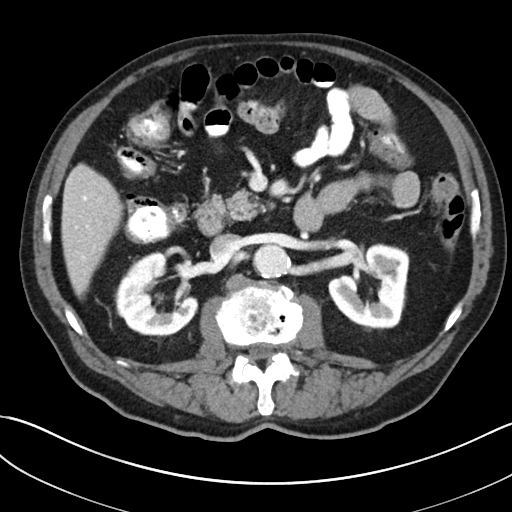
One axial slice (131 of 269, counting up from the lowest) of a contrast-enhanced abdominal CT acquired with 100 kVp, kernel I30f; each pixel is 0.732 mm and the slice is 5.00 mm thick.
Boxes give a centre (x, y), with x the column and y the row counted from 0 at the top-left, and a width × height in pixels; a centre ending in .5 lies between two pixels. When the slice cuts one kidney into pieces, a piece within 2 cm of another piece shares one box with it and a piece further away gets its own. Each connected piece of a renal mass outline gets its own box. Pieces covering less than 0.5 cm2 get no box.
Boxed on this slice (two kidney boxes), listed by box centre from the image's left to its right: (1) Right kidney in a box with centre (157, 293.5), 83 × 84 pixels (outlined area 4,492 px, about 24.1 cm2). (2) Left kidney in a box with centre (368.5, 286), 82 × 87 pixels (outlined area 4,755 px, about 25.5 cm2). This slice carries no renal mass outline.